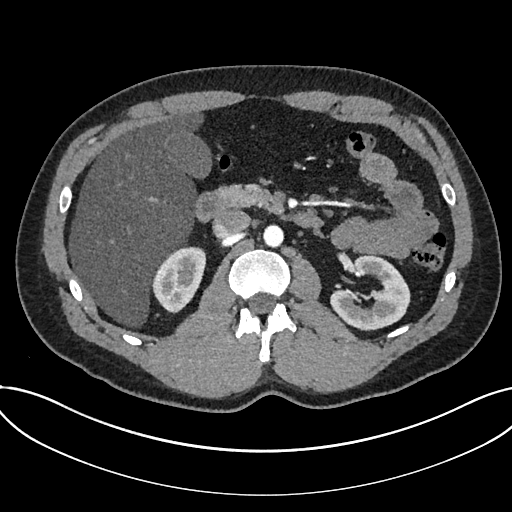
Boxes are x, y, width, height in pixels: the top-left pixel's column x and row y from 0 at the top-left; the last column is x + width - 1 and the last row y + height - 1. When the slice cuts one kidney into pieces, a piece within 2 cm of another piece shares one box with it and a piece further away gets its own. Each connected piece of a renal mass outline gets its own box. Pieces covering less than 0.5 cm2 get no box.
Arterial-phase contrast-enhanced abdominal CT, axial slice 443 of 735 (counted from the lowest slice); 1.00 mm thick, 0.789 mm per pixel. Boxed on this slice (two kidney boxes), listed by box centre from the image's left to its right: (1) Kidney at x 152, y 246, width 55, height 67 (outlined area 2,538 px, about 15.8 cm2). (2) Box x 330, y 255, width 80, height 76: kidney (outlined area 3,830 px, about 23.8 cm2). This slice carries no renal mass outline.
Scan settings: 120 kVp, I30f reconstruction kernel.